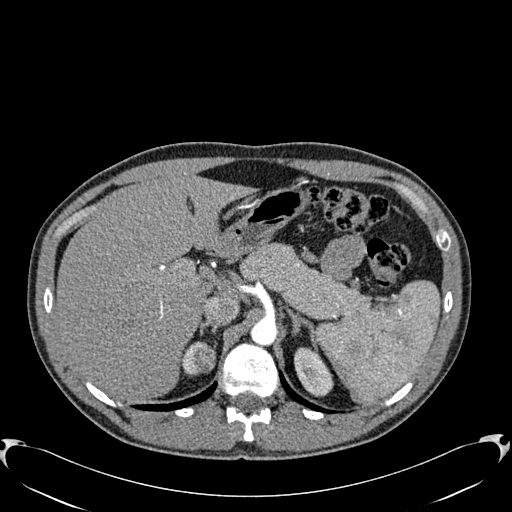
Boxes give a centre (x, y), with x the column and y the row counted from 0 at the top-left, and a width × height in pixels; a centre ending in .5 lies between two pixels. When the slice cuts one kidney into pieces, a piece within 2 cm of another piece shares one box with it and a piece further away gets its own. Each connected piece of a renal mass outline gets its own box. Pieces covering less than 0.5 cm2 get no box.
Arterial-phase contrast-enhanced abdominal CT, axial slice 448 of 512 (counted from the lowest slice); 1.00 mm thick, 0.771 mm per pixel. Three boxes on this slice (two kidney boxes and one renal mass box), listed by box centre from the image's left to its right. (1) Right kidney in a box with centre (190, 360), 17 × 31 pixels (outlined area 267 px, about 1.6 cm2). (2) Right renal mass in a box with centre (203, 357.5), 25 × 32 pixels (outlined area 628 px, about 3.7 cm2). (3) Left kidney, box centre (313.5, 371.5), 40 × 50 pixels (outlined area 1,381 px, about 8.2 cm2).
Tube voltage 120 kVp; convolution kernel B30f.